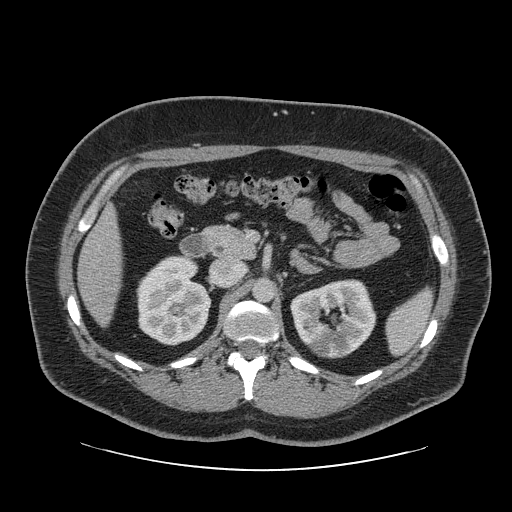
Arterial-phase contrast-enhanced abdominal CT, axial slice 45 of 69 (counted from the lowest slice); tube voltage 120 kVp, convolution kernel STANDARD; slices 2.50 mm thick, 0.846 mm per pixel.
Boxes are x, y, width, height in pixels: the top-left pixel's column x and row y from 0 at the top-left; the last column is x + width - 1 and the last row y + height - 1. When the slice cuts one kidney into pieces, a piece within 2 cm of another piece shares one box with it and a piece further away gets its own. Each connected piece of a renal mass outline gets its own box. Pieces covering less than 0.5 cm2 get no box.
Two kidney boxes on this slice; by box centre, from the image's left to its right: (1) Right kidney, box x 136, y 255, width 76, height 91 (outlined area 5,188 px, about 37.1 cm2). (2) Box x 290, y 279, width 87, height 80: left kidney (outlined area 5,071 px, about 36.3 cm2). This slice carries no renal mass outline.